Arterial-phase contrast-enhanced abdominal CT, axial slice 362 of 548 (counted from the lowest slice); tube voltage 120 kVp, convolution kernel I26f; slices 1.00 mm thick, 0.852 mm per pixel.
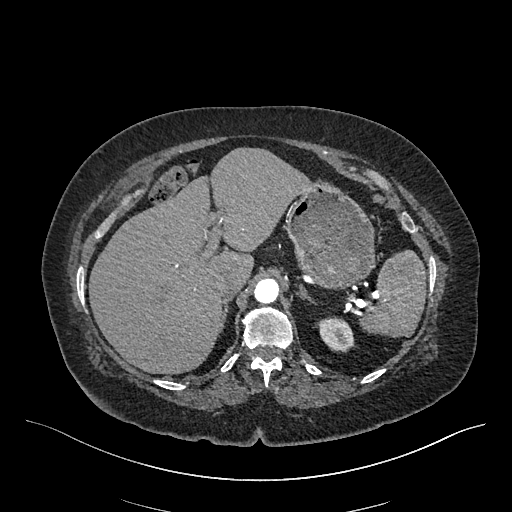
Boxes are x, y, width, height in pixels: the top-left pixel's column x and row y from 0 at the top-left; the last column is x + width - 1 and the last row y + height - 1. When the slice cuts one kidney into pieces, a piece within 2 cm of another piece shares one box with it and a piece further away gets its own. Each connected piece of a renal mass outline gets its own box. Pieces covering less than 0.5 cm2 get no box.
Left kidney at x 316, y 316, width 39, height 37 (outlined area 992 px, about 7.2 cm2). This slice carries no renal mass outline.